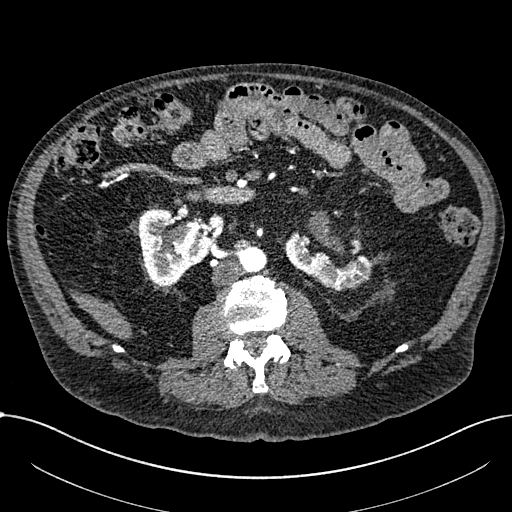
Axial slice 349 of 1059 of a contrast-enhanced abdominal CT in the arterial phase (slice 1 is the lowest), 100 kVp, kernel I30f; 1.00 mm slice thickness and 0.811 mm pixels.
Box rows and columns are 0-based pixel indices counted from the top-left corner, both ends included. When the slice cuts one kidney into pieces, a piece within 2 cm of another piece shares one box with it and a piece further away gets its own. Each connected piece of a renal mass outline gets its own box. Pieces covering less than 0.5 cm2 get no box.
Two boxes on this slice (two kidney boxes), listed by box centre from the image's left to its right. (1) Box rows 208–286, columns 137–210: right part of the midline-crossing kidney (outlined area 3,956 px, about 26.0 cm2). (2) Left part of the midline-crossing kidney at rows 231–290, columns 283–372 (outlined area 2,808 px, about 18.4 cm2). No renal mass outline on this slice.